One axial slice (193 of 326, counting up from the lowest) of an arterial-phase abdominal CT acquired with 120 kVp, kernel B31f; each pixel is 0.963 mm and the slice is 2.00 mm thick.
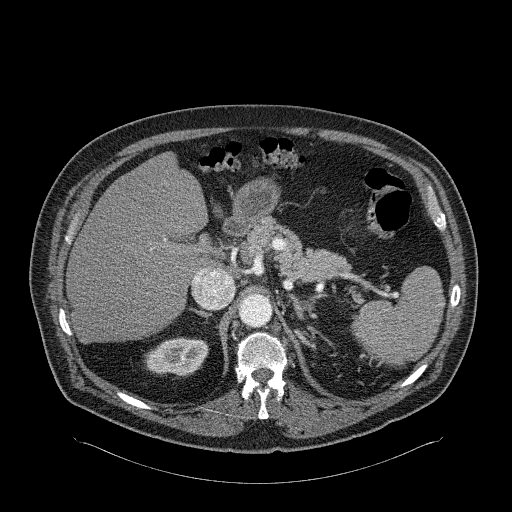
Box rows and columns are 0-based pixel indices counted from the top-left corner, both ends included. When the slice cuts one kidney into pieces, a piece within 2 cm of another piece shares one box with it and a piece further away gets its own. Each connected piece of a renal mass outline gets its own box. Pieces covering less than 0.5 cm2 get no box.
Right kidney, box rows 337–376, columns 144–209 (outlined area 1,957 px, about 18.1 cm2). No renal mass outline on this slice.